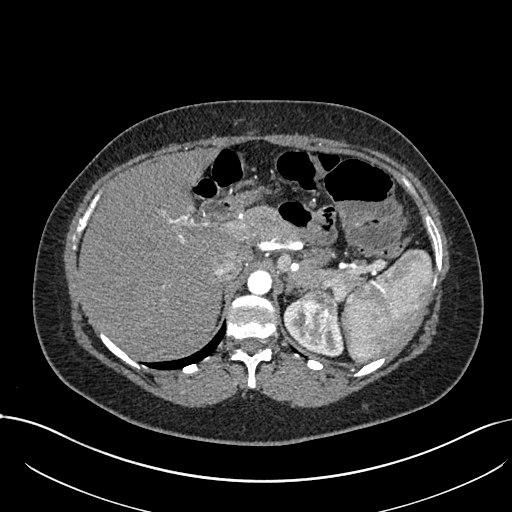
Axial slice 546 of 738 of a contrast-enhanced abdominal CT in the arterial phase (slice 1 is the lowest), 120 kVp, kernel I30f; 1.00 mm slice thickness and 0.789 mm pixels.
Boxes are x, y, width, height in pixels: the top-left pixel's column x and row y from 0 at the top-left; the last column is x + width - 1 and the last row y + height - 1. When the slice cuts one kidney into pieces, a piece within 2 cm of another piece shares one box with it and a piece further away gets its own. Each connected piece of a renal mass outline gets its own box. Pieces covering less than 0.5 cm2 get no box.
One kidney box and one renal mass box on this slice; by box centre, from the image's left to its right: (1) Left kidney, box x 284, y 300, width 59, height 58 (outlined area 1,247 px, about 7.8 cm2). (2) Left renal mass, box x 297, y 290, width 40, height 57 (outlined area 1,696 px, about 10.6 cm2).